Axial slice 148 of 233 of a contrast-enhanced abdominal CT in the arterial phase (slice 1 is the lowest), 120 kVp, kernel STANDARD; 1.25 mm slice thickness and 0.703 mm pixels.
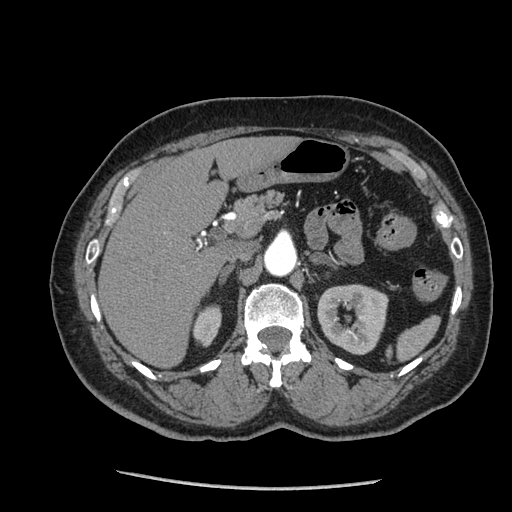
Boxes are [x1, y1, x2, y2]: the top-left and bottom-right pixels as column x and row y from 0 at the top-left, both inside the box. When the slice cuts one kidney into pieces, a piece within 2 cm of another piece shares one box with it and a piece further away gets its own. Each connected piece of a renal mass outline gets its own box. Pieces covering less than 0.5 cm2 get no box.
Boxed on this slice (two kidney boxes), listed by box centre from the image's left to its right: (1) Right kidney, box [191, 304, 221, 347] (outlined area 967 px, about 4.8 cm2). (2) Left kidney, box [317, 284, 388, 355] (outlined area 3,841 px, about 19.0 cm2). No renal mass is outlined on this slice.